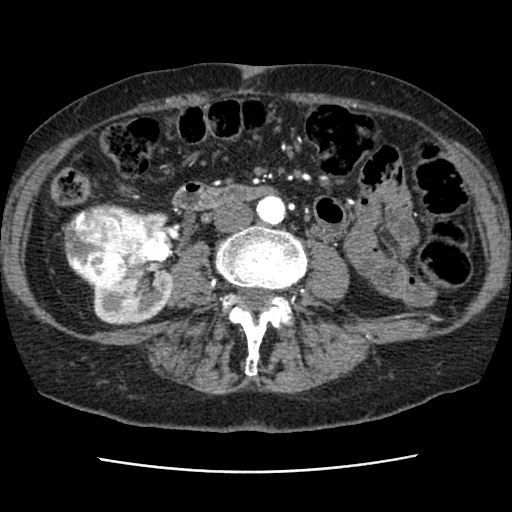
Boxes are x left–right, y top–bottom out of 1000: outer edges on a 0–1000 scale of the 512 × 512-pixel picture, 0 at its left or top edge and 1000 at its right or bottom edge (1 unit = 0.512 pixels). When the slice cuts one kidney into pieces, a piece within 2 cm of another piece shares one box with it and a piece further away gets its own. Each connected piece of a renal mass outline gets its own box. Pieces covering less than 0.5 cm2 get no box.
This is axial slice 28 of 76 (slice 1 is the lowest) of an abdominal CT with contrast; each pixel is 0.586 mm and the slice is 2.50 mm thick. One kidney box and one renal mass box on this slice; by box centre, from the image's left to its right: (1) Box x 125–295, y 395–563 out of 1000: right renal mass (outlined area 5,714 px, about 19.6 cm2). (2) Right kidney, box x 176–342, y 414–637 out of 1000 (outlined area 4,705 px, about 16.2 cm2).
Scan settings: 120 kVp, STANDARD reconstruction kernel.